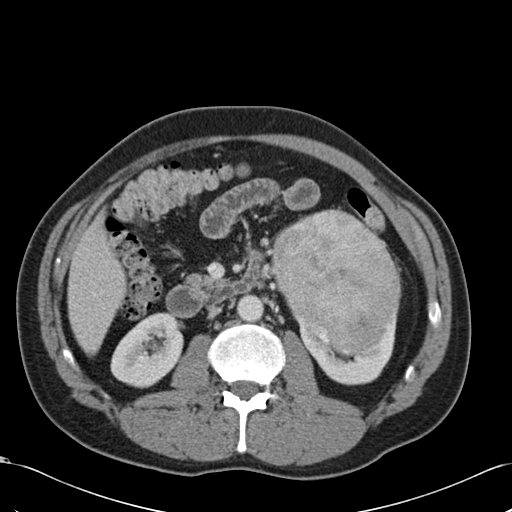
Axial slice 62 of 99 of a contrast-enhanced abdominal CT in the arterial phase (slice 1 is the lowest), 120 kVp, kernel B30f; 5.00 mm slice thickness and 0.693 mm pixels.
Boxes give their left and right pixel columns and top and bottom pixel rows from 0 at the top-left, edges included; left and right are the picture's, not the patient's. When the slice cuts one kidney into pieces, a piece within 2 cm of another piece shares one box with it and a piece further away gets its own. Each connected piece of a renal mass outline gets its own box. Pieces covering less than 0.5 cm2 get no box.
Three boxes on this slice (two kidney boxes and one renal mass box), listed by box centre from the image's left to its right. (1) Box with left 110, top 312, right 183, bottom 388: right kidney (outlined area 3,965 px, about 19.1 cm2). (2) Box with left 272, top 209, right 401, bottom 352: left renal mass (outlined area 13,542 px, about 65.1 cm2). (3) Left kidney, the box with left 298, top 310, right 398, bottom 385 (outlined area 3,160 px, about 15.2 cm2).